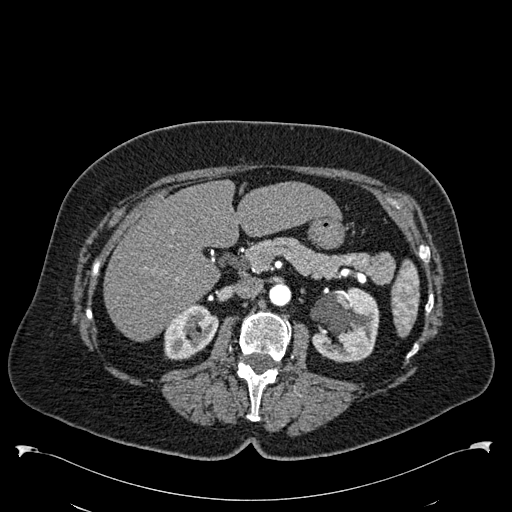
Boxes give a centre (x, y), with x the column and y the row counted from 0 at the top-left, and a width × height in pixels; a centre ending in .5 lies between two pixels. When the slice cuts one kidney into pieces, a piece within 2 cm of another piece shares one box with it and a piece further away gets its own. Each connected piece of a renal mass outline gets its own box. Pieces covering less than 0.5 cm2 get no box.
Arterial-phase contrast-enhanced abdominal CT, axial slice 349 of 538 (counted from the lowest slice); 1.00 mm thick, 0.811 mm per pixel. Two kidney boxes on this slice; by box centre, from the image's left to its right: (1) Right kidney in a box with centre (191, 332), 55 × 57 pixels (outlined area 2,162 px, about 14.2 cm2). (2) Box centre (344.5, 324.5), 70 × 76 pixels: left kidney (outlined area 4,001 px, about 26.3 cm2). This slice carries no renal mass outline.
Scan settings: 120 kVp, B30f reconstruction kernel.